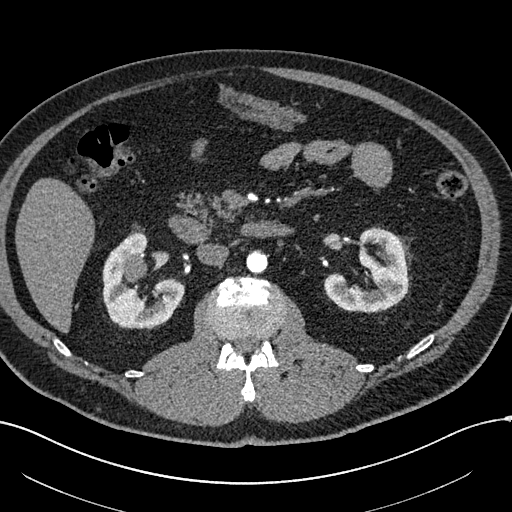
One axial slice (334 of 602, counting up from the lowest) of an arterial-phase abdominal CT acquired with 120 kVp, kernel I30f; each pixel is 0.799 mm and the slice is 1.00 mm thick.
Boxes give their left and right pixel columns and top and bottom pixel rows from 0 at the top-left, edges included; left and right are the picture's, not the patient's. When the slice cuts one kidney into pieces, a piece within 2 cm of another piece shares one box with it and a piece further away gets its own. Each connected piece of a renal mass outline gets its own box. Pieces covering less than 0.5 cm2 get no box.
Boxed on this slice (two kidney boxes and one renal mass box), listed by box centre from the image's left to its right: (1) Right renal mass in the box with left 121, top 254, right 146, bottom 281 (outlined area 557 px, about 3.6 cm2). (2) Right kidney in the box with left 102, top 231, right 185, bottom 328 (outlined area 4,481 px, about 28.6 cm2). (3) Left kidney in the box with left 323, top 227, right 408, bottom 312 (outlined area 4,345 px, about 27.7 cm2).